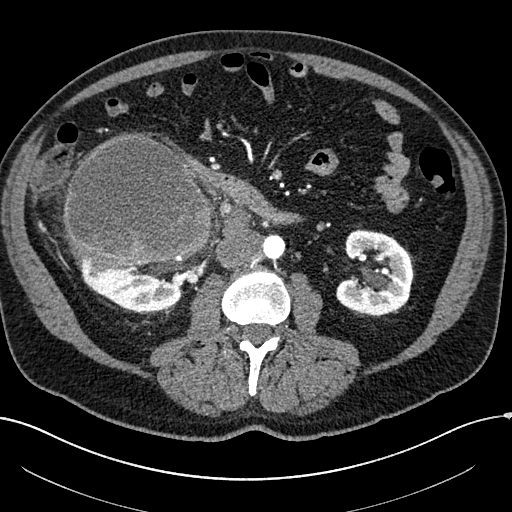
One axial slice (88 of 304, counting up from the lowest) of an arterial-phase abdominal CT acquired with 100 kVp, kernel I30f; each pixel is 0.809 mm and the slice is 2.00 mm thick.
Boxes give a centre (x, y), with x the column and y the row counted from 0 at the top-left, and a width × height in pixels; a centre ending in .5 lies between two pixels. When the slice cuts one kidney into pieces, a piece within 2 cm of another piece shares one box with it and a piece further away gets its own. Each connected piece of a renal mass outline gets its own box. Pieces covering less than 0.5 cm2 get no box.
Three boxes on this slice (two kidney boxes and one renal mass box), listed by box centre from the image's left to its right. (1) Right kidney in a box with centre (128, 283.5), 107 × 58 pixels (outlined area 3,852 px, about 25.2 cm2). (2) Right renal mass in a box with centre (137, 200), 149 × 137 pixels (outlined area 15,702 px, about 102.7 cm2). (3) Left kidney, box centre (375, 273), 79 × 89 pixels (outlined area 4,916 px, about 32.1 cm2).